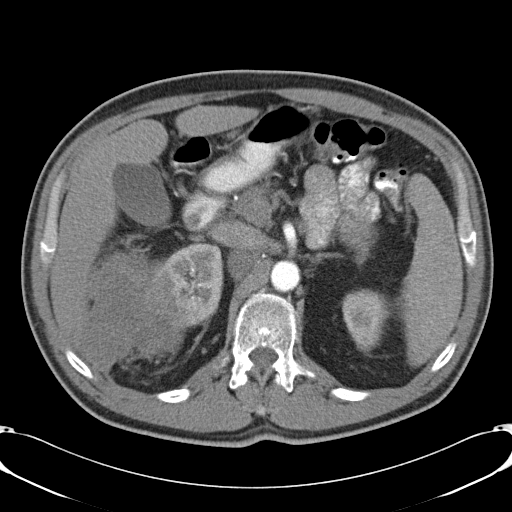
Abdominal CT with intravenous contrast, axial plane, 120 kVp, kernel B31f. Slice 32/57 from the bottom of the scan; thickness 5.00 mm; pixel size 0.732 mm.
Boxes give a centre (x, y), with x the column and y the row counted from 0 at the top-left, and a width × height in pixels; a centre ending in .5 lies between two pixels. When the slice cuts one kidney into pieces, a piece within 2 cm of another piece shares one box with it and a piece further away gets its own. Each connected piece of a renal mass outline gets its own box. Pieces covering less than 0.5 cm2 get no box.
Two kidney boxes and one renal mass box on this slice; by box centre, from the image's left to its right: (1) Right renal mass in a box with centre (134, 306), 129 × 111 pixels (outlined area 10,026 px, about 53.8 cm2). (2) Right kidney, box centre (192, 282), 63 × 81 pixels (outlined area 3,021 px, about 16.2 cm2). (3) Left kidney in a box with centre (365.5, 320), 50 × 65 pixels (outlined area 2,293 px, about 12.3 cm2).